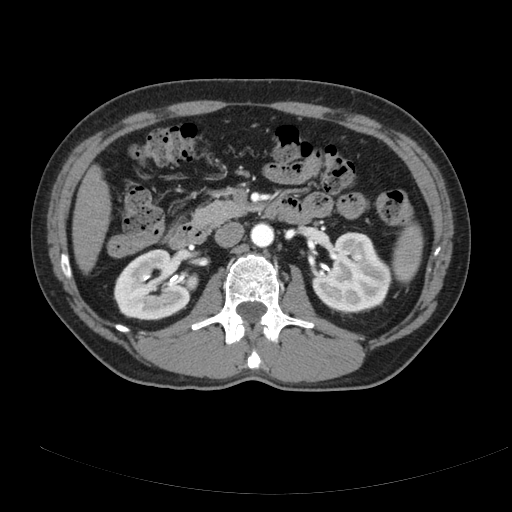
Contrast-enhanced abdominal CT, axial slice 110 of 178 (counted from the lowest slice); tube voltage 120 kVp, convolution kernel B; slices 3.00 mm thick, 0.818 mm per pixel.
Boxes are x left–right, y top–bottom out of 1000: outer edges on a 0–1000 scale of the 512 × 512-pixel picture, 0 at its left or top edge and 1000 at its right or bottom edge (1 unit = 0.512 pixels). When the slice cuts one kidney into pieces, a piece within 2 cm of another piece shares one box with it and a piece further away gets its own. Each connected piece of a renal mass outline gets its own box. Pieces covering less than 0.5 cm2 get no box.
Two boxes on this slice (two kidney boxes), listed by box centre from the image's left to its right. (1) Right kidney, box x 221–373, y 486–627 out of 1000 (outlined area 4,105 px, about 27.5 cm2). (2) Left kidney at x 607–766, y 453–615 out of 1000 (outlined area 4,689 px, about 31.4 cm2). No renal mass is outlined on this slice.